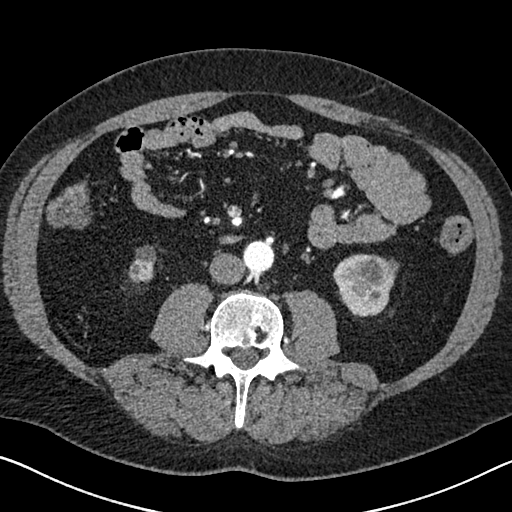
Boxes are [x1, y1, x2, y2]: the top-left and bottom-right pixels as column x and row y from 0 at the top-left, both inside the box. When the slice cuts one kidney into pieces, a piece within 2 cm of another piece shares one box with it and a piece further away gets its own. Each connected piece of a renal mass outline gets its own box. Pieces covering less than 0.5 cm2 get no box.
Arterial-phase contrast-enhanced abdominal CT, axial slice 300 of 626 (counted from the lowest slice); 1.00 mm thick, 0.703 mm per pixel. Boxed on this slice (two kidney boxes and one renal mass box), listed by box centre from the image's left to its right: (1) Box [128, 245, 156, 283]: right kidney (outlined area 791 px, about 3.9 cm2). (2) Box [333, 254, 399, 316]: left kidney (outlined area 2,318 px, about 11.5 cm2). (3) Box [356, 258, 397, 285]: left renal mass (outlined area 767 px, about 3.8 cm2).
Tube voltage 120 kVp; convolution kernel I30f.